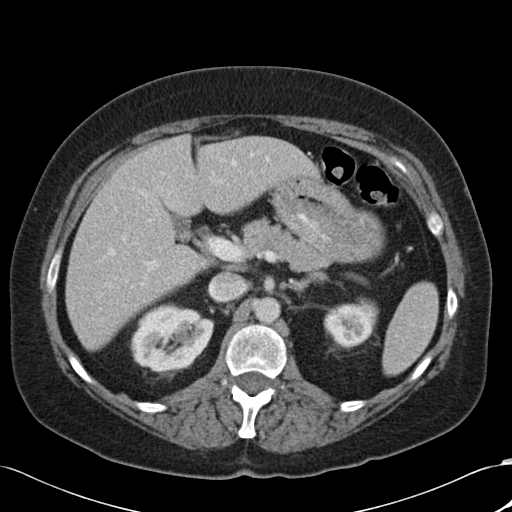
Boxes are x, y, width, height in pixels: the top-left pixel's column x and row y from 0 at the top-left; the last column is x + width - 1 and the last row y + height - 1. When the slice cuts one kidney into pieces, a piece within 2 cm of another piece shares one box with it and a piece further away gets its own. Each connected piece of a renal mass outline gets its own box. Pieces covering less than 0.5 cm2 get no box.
Arterial-phase contrast-enhanced abdominal CT, axial slice 68 of 88 (counted from the lowest slice); 5.00 mm thick, 0.691 mm per pixel. Two kidney boxes on this slice; by box centre, from the image's left to its right: (1) Right kidney, box x 130, y 302, width 85, height 71 (outlined area 4,352 px, about 20.8 cm2). (2) Left kidney at x 323, y 297, width 56, height 51 (outlined area 2,013 px, about 9.6 cm2). This slice carries no renal mass outline.
Acquired at 120 kVp and reconstructed with the B30f kernel.